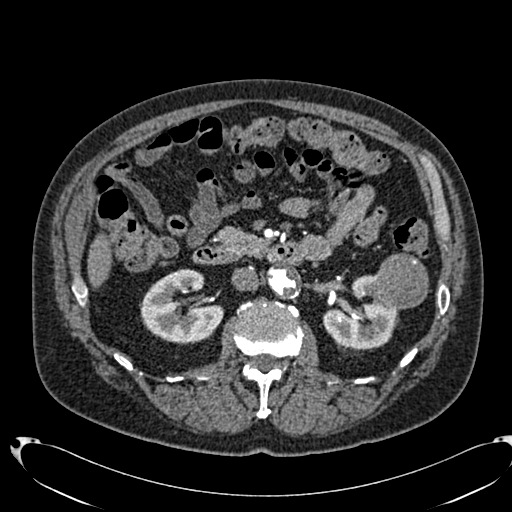
Arterial-phase contrast-enhanced abdominal CT, axial slice 413 of 553 (counted from the lowest slice); tube voltage 120 kVp, convolution kernel B20f; slices 1.00 mm thick, 0.773 mm per pixel.
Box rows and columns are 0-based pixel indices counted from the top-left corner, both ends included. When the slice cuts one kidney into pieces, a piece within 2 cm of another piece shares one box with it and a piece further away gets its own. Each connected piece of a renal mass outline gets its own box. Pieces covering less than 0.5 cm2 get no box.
Boxed on this slice (two kidney boxes and one renal mass box), listed by box centre from the image's left to its right: (1) Right kidney, box rows 269–344, columns 139–223 (outlined area 4,356 px, about 26.1 cm2). (2) Left kidney, box rows 275–349, columns 322–398 (outlined area 3,432 px, about 20.5 cm2). (3) Box rows 253–309, columns 374–428: left renal mass (outlined area 2,433 px, about 14.6 cm2).